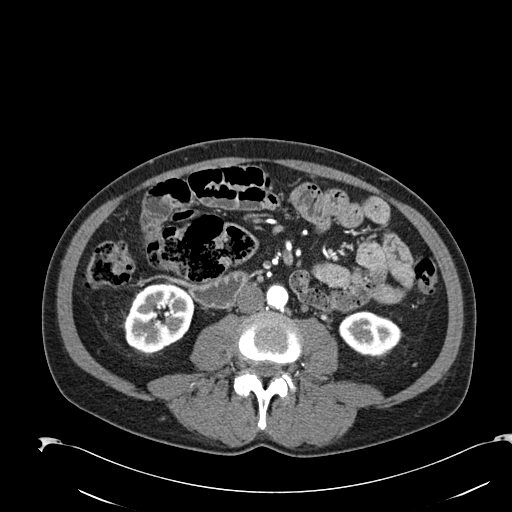
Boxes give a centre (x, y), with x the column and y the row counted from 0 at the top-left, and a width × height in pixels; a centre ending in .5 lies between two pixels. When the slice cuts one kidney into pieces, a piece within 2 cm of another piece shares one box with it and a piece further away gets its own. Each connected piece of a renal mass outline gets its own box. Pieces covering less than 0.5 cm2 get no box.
This is axial slice 72 of 274 (slice 1 is the lowest) of an arterial-phase abdominal CT with contrast; each pixel is 0.809 mm and the slice is 2.00 mm thick. Two kidney boxes on this slice; by box centre, from the image's left to its right: (1) Right kidney in a box with centre (157.5, 318.5), 72 × 72 pixels (outlined area 3,776 px, about 24.7 cm2). (2) Left kidney, box centre (369, 333), 63 × 45 pixels (outlined area 2,127 px, about 13.9 cm2). No renal mass is outlined on this slice.
Scan settings: 120 kVp, B30f reconstruction kernel.